One axial slice (198 of 316, counting up from the lowest) of an arterial-phase abdominal CT acquired with 100 kVp, kernel I40f; each pixel is 0.840 mm and the slice is 2.00 mm thick.
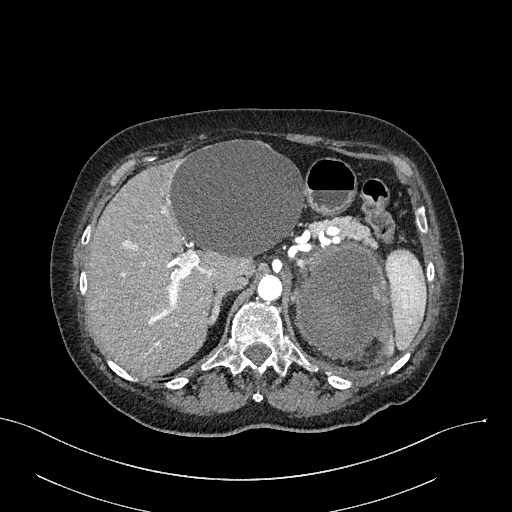
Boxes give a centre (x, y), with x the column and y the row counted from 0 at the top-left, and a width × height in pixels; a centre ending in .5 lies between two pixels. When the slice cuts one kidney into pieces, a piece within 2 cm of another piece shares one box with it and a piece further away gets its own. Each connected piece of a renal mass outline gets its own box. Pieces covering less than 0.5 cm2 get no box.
Box centre (342.5, 300.5), 94 × 118 pixels: left renal mass (outlined area 8,666 px, about 61.1 cm2); no kidney outline appears on this slice, but the same outlined renal mass comes within 1 cm of the kidney on another slice.